Arterial-phase contrast-enhanced abdominal CT, axial slice 285 of 620 (counted from the lowest slice); tube voltage 120 kVp, convolution kernel B31f; slices 2.00 mm thick, 0.637 mm per pixel.
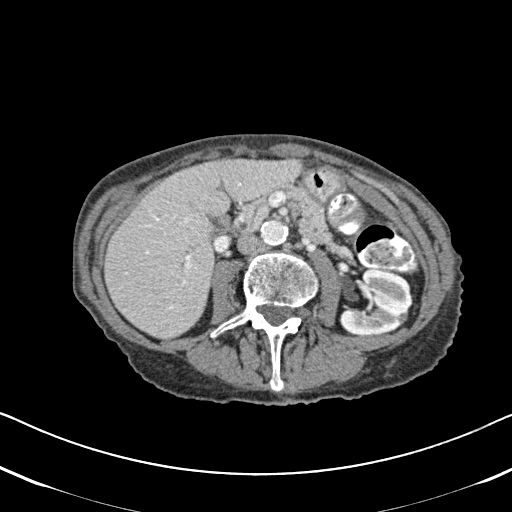
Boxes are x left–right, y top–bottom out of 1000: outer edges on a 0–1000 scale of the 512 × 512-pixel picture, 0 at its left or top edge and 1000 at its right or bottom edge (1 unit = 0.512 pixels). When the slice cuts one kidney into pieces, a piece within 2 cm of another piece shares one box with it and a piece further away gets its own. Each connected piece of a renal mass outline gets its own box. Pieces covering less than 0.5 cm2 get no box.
Left kidney, box x 662–807, y 523–656 out of 1000 (outlined area 3,403 px, about 13.8 cm2). This slice carries no renal mass outline.